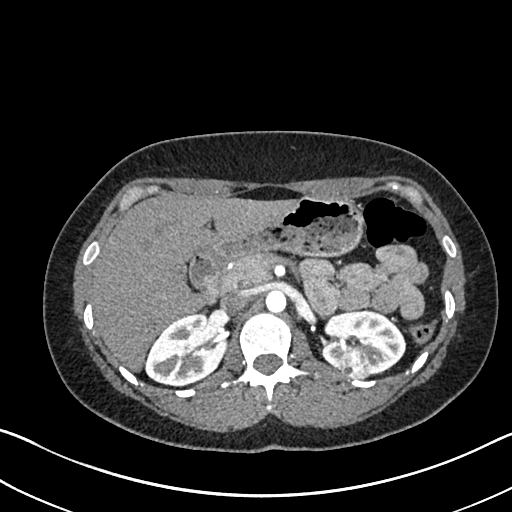
One axial slice (451 of 612, counting up from the lowest) of an arterial-phase abdominal CT acquired with 120 kVp, kernel I30f; each pixel is 0.703 mm and the slice is 1.00 mm thick.
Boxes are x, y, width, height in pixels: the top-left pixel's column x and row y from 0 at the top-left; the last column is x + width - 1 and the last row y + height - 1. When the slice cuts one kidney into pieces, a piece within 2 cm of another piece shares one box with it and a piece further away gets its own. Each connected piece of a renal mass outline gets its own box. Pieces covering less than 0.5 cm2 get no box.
Three boxes on this slice (two kidney boxes and one renal mass box), listed by box centre from the image's left to its right. (1) Box x 145, y 313, width 77, height 74: right kidney (outlined area 3,957 px, about 19.6 cm2). (2) Box x 340, y 349, width 31, height 30: left renal mass (outlined area 745 px, about 3.7 cm2). (3) Left kidney, box x 321, y 309, width 86, height 67 (outlined area 3,763 px, about 18.6 cm2).